Axial slice 471 of 719 of a contrast-enhanced abdominal CT in the arterial phase (slice 1 is the lowest), 120 kVp, kernel B20f; 1.00 mm slice thickness and 0.766 mm pixels.
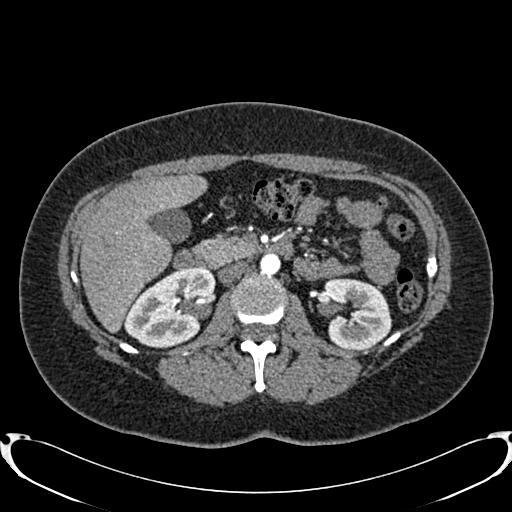
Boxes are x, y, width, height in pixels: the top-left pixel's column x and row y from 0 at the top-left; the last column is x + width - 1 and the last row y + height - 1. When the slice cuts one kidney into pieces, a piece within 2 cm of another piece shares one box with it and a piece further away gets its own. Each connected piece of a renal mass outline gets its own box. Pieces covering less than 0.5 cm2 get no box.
Two kidney boxes on this slice; by box centre, from the image's left to its right: (1) Right kidney, box x 123, y 267, width 93, height 82 (outlined area 5,194 px, about 30.4 cm2). (2) Left kidney, box x 323, y 278, width 70, height 72 (outlined area 3,900 px, about 22.9 cm2). No renal mass is outlined on this slice.